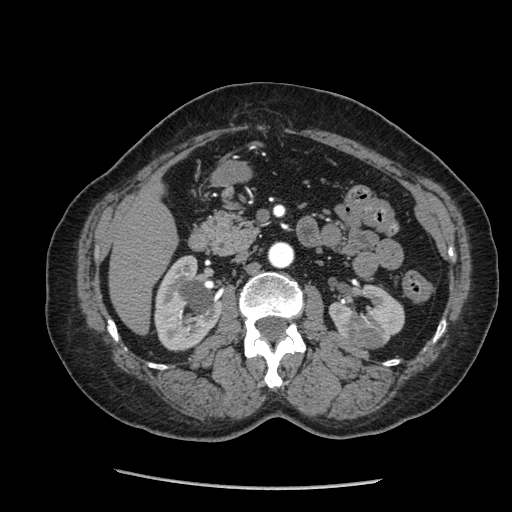
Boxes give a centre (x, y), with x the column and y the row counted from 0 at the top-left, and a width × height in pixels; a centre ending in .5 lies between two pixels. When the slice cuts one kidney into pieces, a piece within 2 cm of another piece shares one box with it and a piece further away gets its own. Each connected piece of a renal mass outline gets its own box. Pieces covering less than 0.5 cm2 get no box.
Slice 124/233 of a contrast-enhanced abdominal CT in the arterial phase, counting up from the lowest; pixel size 0.703 mm, slice thickness 1.25 mm. Boxed on this slice (two kidney boxes and one renal mass box), listed by box centre from the image's left to its right: (1) Right kidney, box centre (188, 303), 69 × 97 pixels (outlined area 4,734 px, about 23.4 cm2). (2) Left kidney in a box with centre (366.5, 312), 76 × 57 pixels (outlined area 2,329 px, about 11.5 cm2). (3) Left renal mass in a box with centre (367, 333.5), 41 × 32 pixels (outlined area 1,046 px, about 5.2 cm2).
Scan settings: 120 kVp, STANDARD reconstruction kernel.